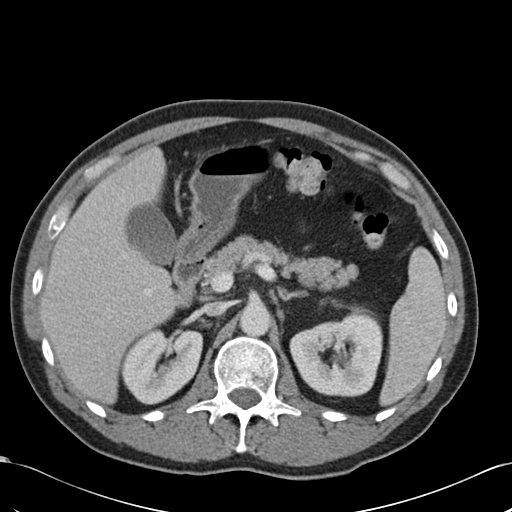
One axial slice (71 of 99, counting up from the lowest) of an arterial-phase abdominal CT acquired with 120 kVp, kernel B30f; each pixel is 0.693 mm and the slice is 5.00 mm thick.
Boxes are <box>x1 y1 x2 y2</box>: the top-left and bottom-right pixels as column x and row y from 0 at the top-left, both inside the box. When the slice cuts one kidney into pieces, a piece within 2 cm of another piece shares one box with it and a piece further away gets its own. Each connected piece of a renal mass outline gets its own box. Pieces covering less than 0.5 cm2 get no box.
Boxed on this slice (two kidney boxes), listed by box centre from the image's left to its right: (1) At <box>120 327 203 404</box>: right kidney (outlined area 4,653 px, about 22.4 cm2). (2) At <box>289 313 382 397</box>: left kidney (outlined area 5,990 px, about 28.8 cm2). No renal mass is outlined on this slice.